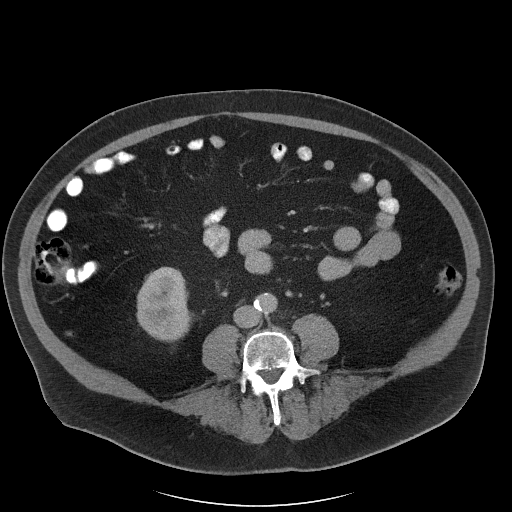
Abdominal CT with intravenous contrast, axial plane, 120 kVp, kernel I40f. Slice 50/102 from the bottom of the scan; thickness 5.00 mm; pixel size 0.977 mm.
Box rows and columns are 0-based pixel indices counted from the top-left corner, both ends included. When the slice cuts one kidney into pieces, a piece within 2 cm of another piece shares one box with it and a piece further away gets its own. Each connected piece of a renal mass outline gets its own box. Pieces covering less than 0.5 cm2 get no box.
Right kidney at rows 266–342, columns 136–193 (outlined area 3,284 px, about 31.3 cm2). No renal mass outline on this slice.